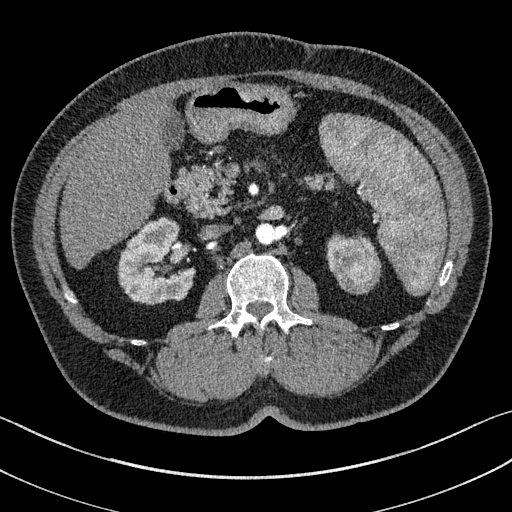
Abdominal CT with intravenous contrast, arterial phase, axial plane, 100 kVp, kernel I31f. Slice 91/195 from the bottom of the scan; thickness 1.50 mm; pixel size 0.707 mm.
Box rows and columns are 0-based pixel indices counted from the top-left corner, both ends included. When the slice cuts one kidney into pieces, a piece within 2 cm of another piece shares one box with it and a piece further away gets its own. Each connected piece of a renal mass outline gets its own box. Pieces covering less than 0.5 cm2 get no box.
Three boxes on this slice (two kidney boxes and one renal mass box), listed by box centre from the image's left to its right. (1) Right kidney at rows 217–304, columns 118–194 (outlined area 4,702 px, about 23.5 cm2). (2) Box rows 234–271, columns 327–368: left kidney (outlined area 421 px, about 2.1 cm2). (3) Left renal mass, box rows 239–293, columns 332–380 (outlined area 2,074 px, about 10.4 cm2).